Arterial-phase contrast-enhanced abdominal CT, axial slice 563 of 719 (counted from the lowest slice); tube voltage 120 kVp, convolution kernel B20f; slices 1.00 mm thick, 0.766 mm per pixel.
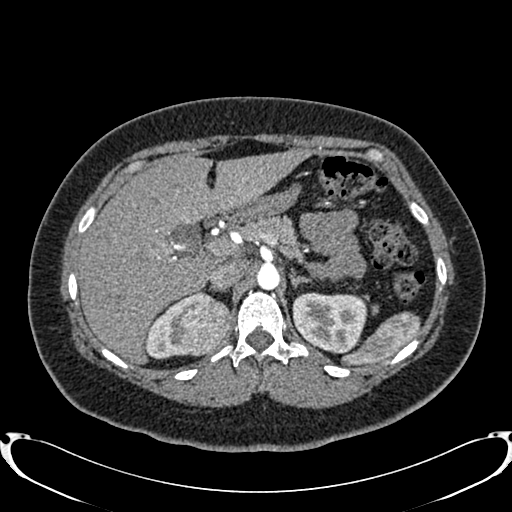
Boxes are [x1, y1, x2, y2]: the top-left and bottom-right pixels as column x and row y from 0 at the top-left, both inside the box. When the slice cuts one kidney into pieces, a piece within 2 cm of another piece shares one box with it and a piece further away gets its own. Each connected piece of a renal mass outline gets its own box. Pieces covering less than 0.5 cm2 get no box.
Two kidney boxes and one renal mass box on this slice; by box centre, from the image's left to its right: (1) Right kidney at [146, 296, 188, 359] (outlined area 853 px, about 5.0 cm2). (2) Box [165, 291, 229, 356]: right renal mass (outlined area 3,245 px, about 19.0 cm2). (3) Left kidney, box [292, 292, 367, 353] (outlined area 3,708 px, about 21.7 cm2).